Arterial-phase contrast-enhanced abdominal CT, axial slice 36 of 285 (counted from the lowest slice); tube voltage 120 kVp, convolution kernel B31f; slices 2.00 mm thick, 0.762 mm per pixel.
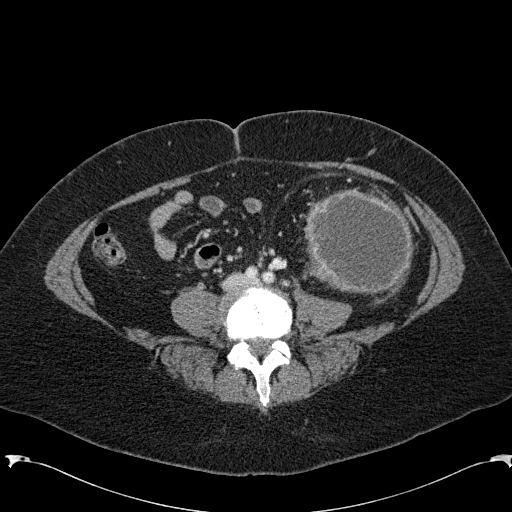
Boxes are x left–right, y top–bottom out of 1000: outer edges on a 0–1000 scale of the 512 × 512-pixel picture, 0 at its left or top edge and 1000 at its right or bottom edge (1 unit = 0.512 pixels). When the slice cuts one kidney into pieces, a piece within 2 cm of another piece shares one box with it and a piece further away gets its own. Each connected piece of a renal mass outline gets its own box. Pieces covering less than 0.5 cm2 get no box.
Left renal mass at x 594–809, y 367–576 out of 1000 (outlined area 9,260 px, about 53.7 cm2); no kidney outline appears on this slice, but the same outlined renal mass comes within 1 cm of the kidney on another slice.